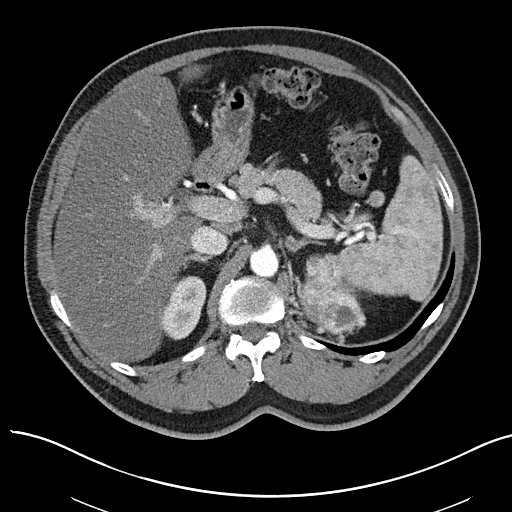
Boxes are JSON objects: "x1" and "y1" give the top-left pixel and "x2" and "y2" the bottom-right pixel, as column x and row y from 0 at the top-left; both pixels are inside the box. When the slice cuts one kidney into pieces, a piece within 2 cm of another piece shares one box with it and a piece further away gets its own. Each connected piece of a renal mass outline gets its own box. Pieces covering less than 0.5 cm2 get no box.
Arterial-phase contrast-enhanced abdominal CT, axial slice 52 of 97 (counted from the lowest slice); 3.00 mm thick, 0.797 mm per pixel. Boxed on this slice (one kidney box and one renal mass box), listed by box centre from the image's left to its right: (1) Right kidney at {"x1": 161, "y1": 276, "x2": 206, "y2": 340} (outlined area 2,153 px, about 13.7 cm2). (2) Left renal mass at {"x1": 291, "y1": 254, "x2": 365, "y2": 339} (outlined area 3,985 px, about 25.3 cm2); here it is more than 1 cm from any kidney outline, though on another slice the same outlined renal mass lies within 1 cm of the kidney.
Tube voltage 100 kVp; convolution kernel I40f.